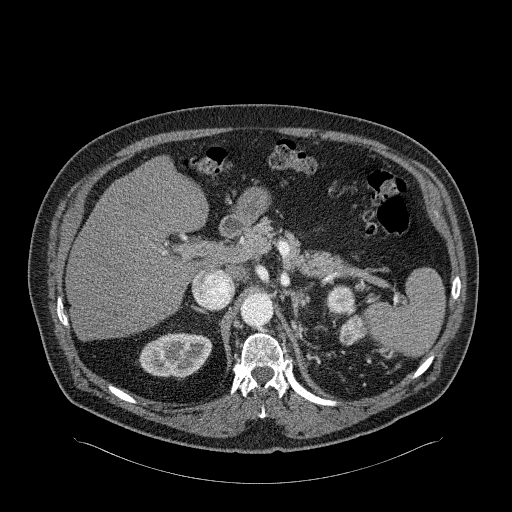
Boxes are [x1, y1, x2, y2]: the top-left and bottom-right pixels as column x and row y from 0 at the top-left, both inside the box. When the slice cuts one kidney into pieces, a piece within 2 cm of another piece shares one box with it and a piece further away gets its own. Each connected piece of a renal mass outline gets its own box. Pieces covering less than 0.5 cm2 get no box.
Slice 186/326 of a contrast-enhanced abdominal CT in the arterial phase, counting up from the lowest; pixel size 0.963 mm, slice thickness 2.00 mm. One kidney box and two renal mass boxes on this slice; by box centre, from the image's left to its right: (1) Box [138, 333, 212, 379]: right kidney (outlined area 2,614 px, about 24.2 cm2). (2) Box [325, 284, 356, 314]: left renal mass (outlined area 708 px, about 6.6 cm2); it sits over 1 cm from every kidney outline on this slice, but the same outlined renal mass comes within 1 cm of the kidney on another slice. (3) Left renal mass, box [339, 314, 366, 345] (outlined area 652 px, about 6.0 cm2); on this slice it lies more than 1 cm from any kidney outline, but the same outlined renal mass comes within 1 cm of the kidney on another slice.
Acquired at 120 kVp and reconstructed with the B31f kernel.